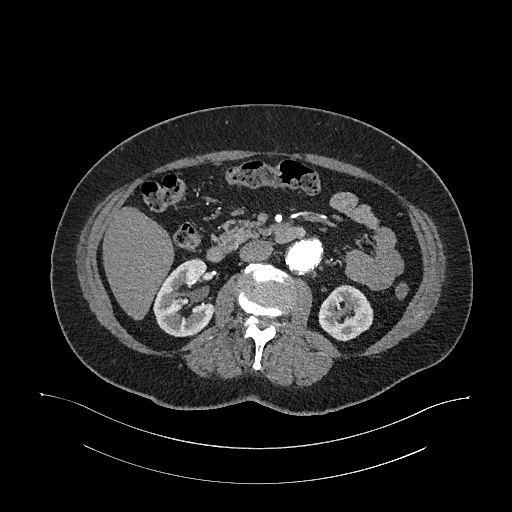
Arterial-phase contrast-enhanced abdominal CT, axial slice 627 of 987 (counted from the lowest slice); tube voltage 120 kVp, convolution kernel I26f; slices 1.00 mm thick, 0.977 mm per pixel.
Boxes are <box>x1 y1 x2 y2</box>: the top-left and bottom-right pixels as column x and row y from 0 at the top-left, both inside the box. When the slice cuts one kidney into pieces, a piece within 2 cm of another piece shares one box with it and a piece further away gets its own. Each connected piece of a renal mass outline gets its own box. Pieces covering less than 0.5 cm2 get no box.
Two kidney boxes on this slice; by box centre, from the image's left to its right: (1) Right kidney: <box>153 258 214 336</box> (outlined area 3,374 px, about 32.2 cm2). (2) Left kidney at <box>318 284 373 341</box> (outlined area 2,302 px, about 22.0 cm2). No renal mass outline on this slice.